Axial slice 342 of 470 of a contrast-enhanced abdominal CT (slice 1 is the lowest), 100 kVp, kernel I40f; 2.00 mm slice thickness and 0.824 mm pixels.
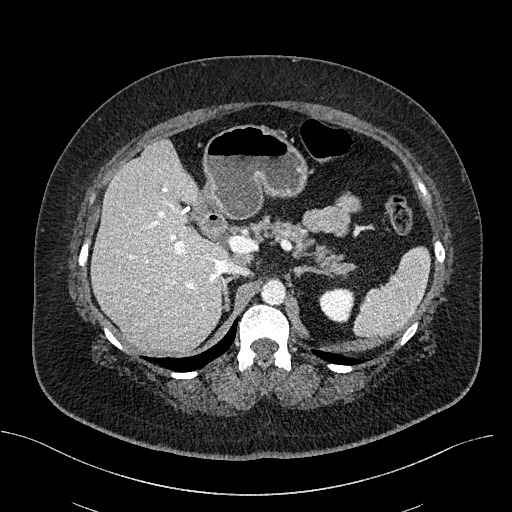
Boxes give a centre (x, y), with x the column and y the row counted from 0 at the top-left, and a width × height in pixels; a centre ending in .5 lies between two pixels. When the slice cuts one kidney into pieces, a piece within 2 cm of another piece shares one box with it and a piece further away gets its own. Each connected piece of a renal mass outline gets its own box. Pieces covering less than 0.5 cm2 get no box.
Left kidney, box centre (336, 305.5), 35 × 36 pixels (outlined area 981 px, about 6.7 cm2). No renal mass outline on this slice.